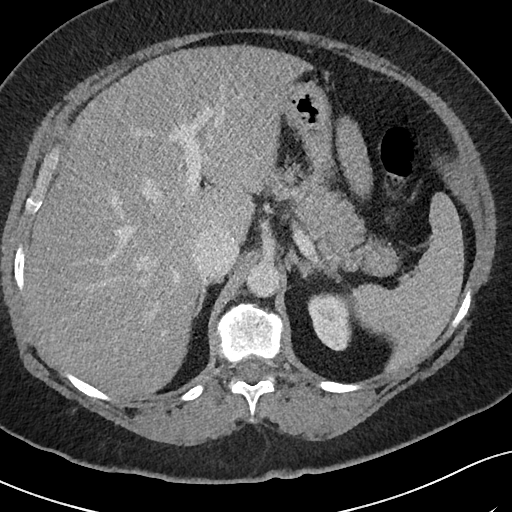
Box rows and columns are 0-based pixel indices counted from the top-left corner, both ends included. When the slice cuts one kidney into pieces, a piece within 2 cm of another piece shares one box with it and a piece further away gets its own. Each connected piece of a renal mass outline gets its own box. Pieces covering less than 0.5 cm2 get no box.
Arterial-phase contrast-enhanced abdominal CT, axial slice 62 of 69 (counted from the lowest slice); 3.00 mm thick, 0.664 mm per pixel. Left kidney, box rows 292–351, columns 307–352 (outlined area 2,057 px, about 9.1 cm2). No renal mass outline on this slice.
Acquired at 120 kVp and reconstructed with the I40f kernel.